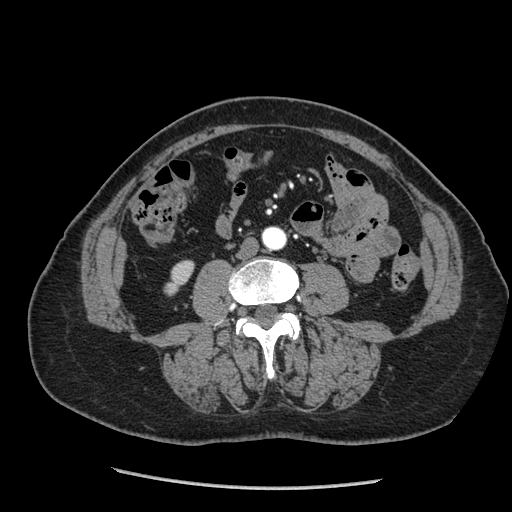
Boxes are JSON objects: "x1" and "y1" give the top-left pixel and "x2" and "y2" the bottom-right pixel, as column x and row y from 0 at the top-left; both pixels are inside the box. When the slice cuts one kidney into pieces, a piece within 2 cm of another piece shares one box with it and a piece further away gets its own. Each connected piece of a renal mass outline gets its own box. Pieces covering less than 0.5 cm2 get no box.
This is axial slice 83 of 233 (slice 1 is the lowest) of an arterial-phase abdominal CT with contrast; each pixel is 0.703 mm and the slice is 1.25 mm thick. Right kidney at {"x1": 163, "y1": 259, "x2": 194, "y2": 296} (outlined area 666 px, about 3.3 cm2). No renal mass outline on this slice.
Tube voltage 120 kVp; convolution kernel STANDARD.